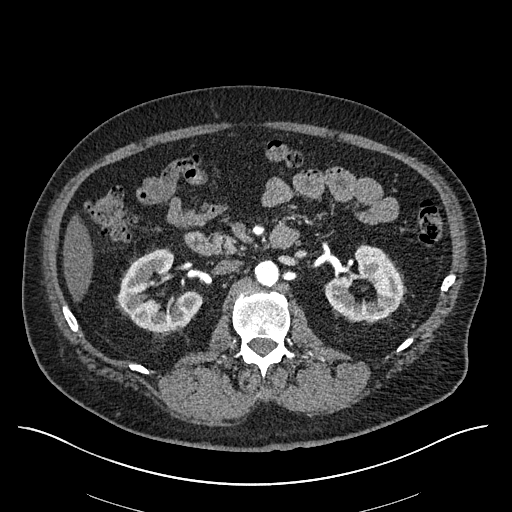
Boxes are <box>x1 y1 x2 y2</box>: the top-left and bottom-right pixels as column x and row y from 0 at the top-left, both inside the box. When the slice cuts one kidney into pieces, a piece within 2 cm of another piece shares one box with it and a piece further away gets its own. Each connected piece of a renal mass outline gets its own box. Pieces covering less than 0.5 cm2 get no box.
This is axial slice 339 of 670 (slice 1 is the lowest) of an arterial-phase abdominal CT with contrast; each pixel is 0.861 mm and the slice is 1.00 mm thick. Two boxes on this slice (two kidney boxes), listed by box centre from the image's left to its right. (1) Right kidney at <box>117 248 201 332</box> (outlined area 4,246 px, about 31.5 cm2). (2) Left kidney: <box>324 245 403 320</box> (outlined area 3,879 px, about 28.8 cm2). This slice carries no renal mass outline.
Scan settings: 120 kVp, I30f reconstruction kernel.